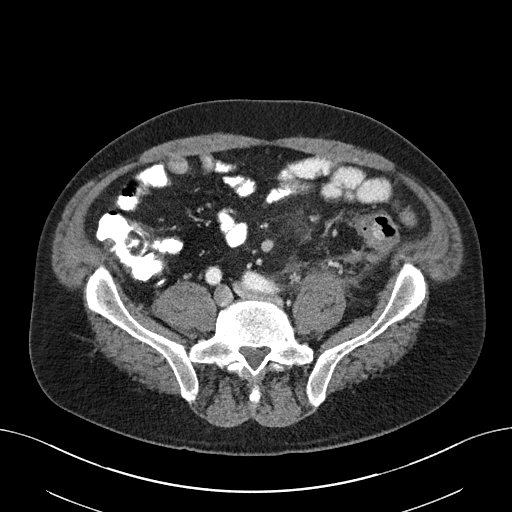
Contrast-enhanced abdominal CT, axial slice 74 of 163 (counted from the lowest slice); tube voltage 100 kVp, convolution kernel I40f; slices 3.00 mm thick, 0.799 mm per pixel.
No kidney and no renal mass is outlined on this slice; the outlines in this scan cover only the kidneys and the renal masses, so nothing is said about any other organ.